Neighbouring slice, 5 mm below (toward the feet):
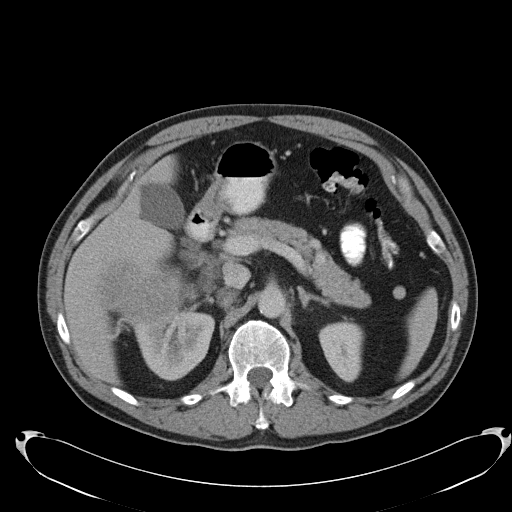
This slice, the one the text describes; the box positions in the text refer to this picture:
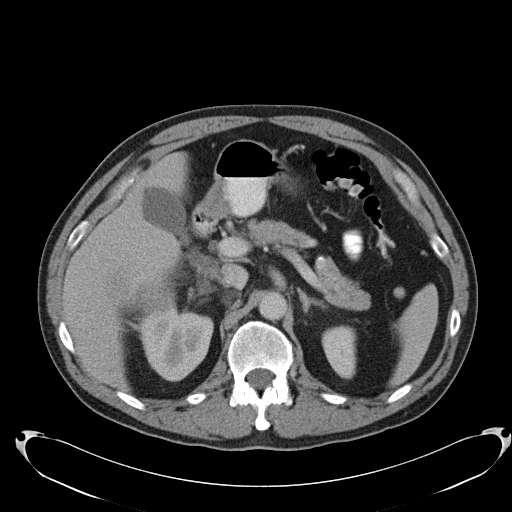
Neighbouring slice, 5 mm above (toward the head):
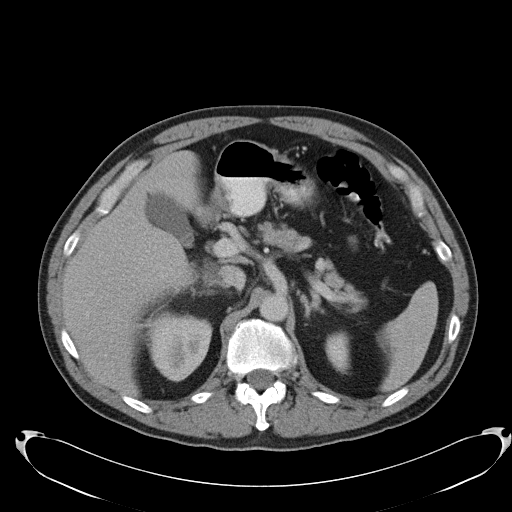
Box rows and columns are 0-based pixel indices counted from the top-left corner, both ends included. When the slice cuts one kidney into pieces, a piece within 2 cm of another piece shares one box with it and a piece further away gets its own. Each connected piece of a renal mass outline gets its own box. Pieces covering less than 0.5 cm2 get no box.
Contrast-enhanced abdominal CT, axial slice 74 of 103 (counted from the lowest slice); 5.00 mm thick, 0.801 mm per pixel. Boxed on this slice (two kidney boxes and one renal mass box), listed by box centre from the image's left to its right: (1) Right renal mass, box rows 275–315, columns 135–176 (outlined area 1,281 px, about 8.2 cm2). (2) Box rows 308–381, columns 140–213: right kidney (outlined area 4,102 px, about 26.3 cm2). (3) Box rows 325–379, columns 321–356: left kidney (outlined area 1,505 px, about 9.7 cm2). This slice is near the end of the right renal mass toward the head, so the slices 5 mm below and 5 mm above it are shown as well; the boxes refer to this slice only.
Scan settings: 120 kVp, B31f reconstruction kernel.